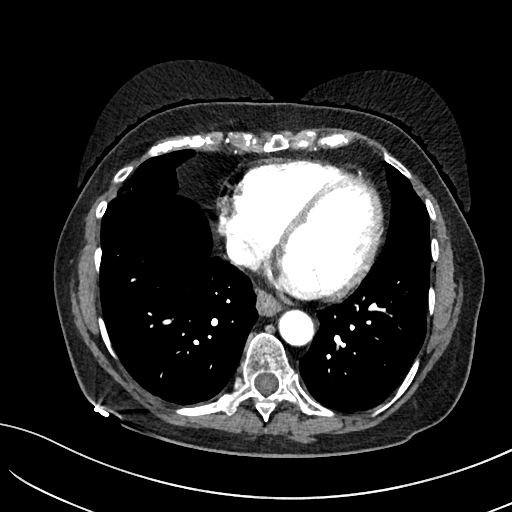
Slice 204/234 of a contrast-enhanced abdominal CT in the arterial phase, counting up from the lowest; pixel size 0.699 mm, slice thickness 2.00 mm. This slice carries no outline: it lies beyond the outlined kidneys and beyond every outlined renal mass. Other organs are not outlined in this scan.
Acquired at 100 kVp and reconstructed with the I40f kernel.